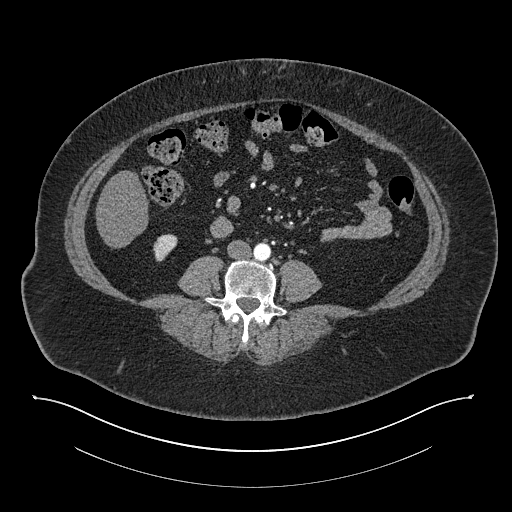
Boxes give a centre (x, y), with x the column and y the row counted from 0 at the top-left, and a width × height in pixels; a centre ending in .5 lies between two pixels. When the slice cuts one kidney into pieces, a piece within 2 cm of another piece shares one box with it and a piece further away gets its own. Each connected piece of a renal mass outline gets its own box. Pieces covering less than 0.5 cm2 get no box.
This is axial slice 330 of 673 (slice 1 is the lowest) of an arterial-phase abdominal CT with contrast; each pixel is 0.957 mm and the slice is 1.00 mm thick. Right kidney, box centre (165, 247.5), 25 × 28 pixels (outlined area 474 px, about 4.3 cm2). This slice carries no renal mass outline.
Acquired at 140 kVp and reconstructed with the I30f kernel.